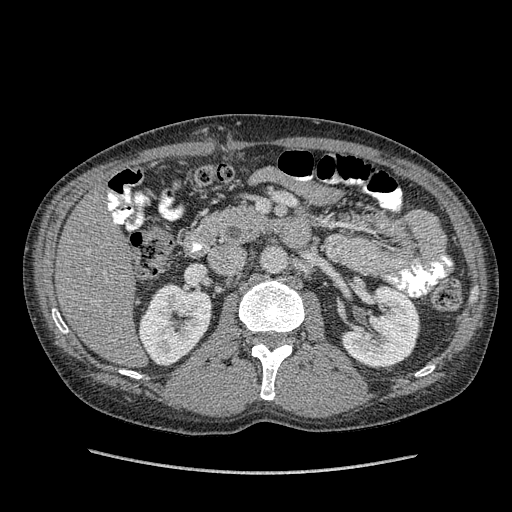
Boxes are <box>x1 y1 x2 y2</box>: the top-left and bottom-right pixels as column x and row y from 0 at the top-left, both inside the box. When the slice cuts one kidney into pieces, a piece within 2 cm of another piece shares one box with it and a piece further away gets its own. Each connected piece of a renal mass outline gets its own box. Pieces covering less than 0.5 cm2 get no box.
This is axial slice 217 of 349 (slice 1 is the lowest) of an arterial-phase abdominal CT with contrast; each pixel is 0.742 mm and the slice is 1.25 mm thick. Two boxes on this slice (two kidney boxes), listed by box centre from the image's left to its right. (1) Right kidney: <box>136 283 212 366</box> (outlined area 4,387 px, about 24.2 cm2). (2) Left kidney at <box>341 285 420 368</box> (outlined area 4,615 px, about 25.4 cm2). No renal mass is outlined on this slice.
Acquired at 120 kVp and reconstructed with the STANDARD kernel.